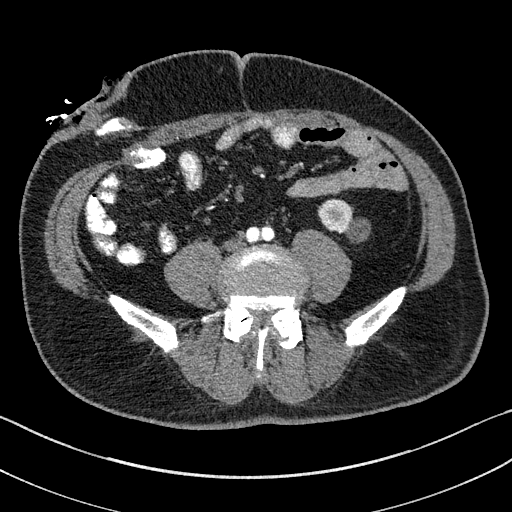
Arterial-phase contrast-enhanced abdominal CT, axial slice 27 of 195 (counted from the lowest slice); tube voltage 100 kVp, convolution kernel I31f; slices 1.50 mm thick, 0.707 mm per pixel.
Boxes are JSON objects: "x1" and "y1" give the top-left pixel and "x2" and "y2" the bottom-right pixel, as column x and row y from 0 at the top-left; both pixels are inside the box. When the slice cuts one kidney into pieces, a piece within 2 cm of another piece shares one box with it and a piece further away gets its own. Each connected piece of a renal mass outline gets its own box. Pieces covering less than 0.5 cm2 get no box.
Left kidney, box {"x1": 318, "y1": 199, "x2": 368, "y2": 240} (outlined area 1,277 px, about 6.4 cm2). No renal mass is outlined on this slice.